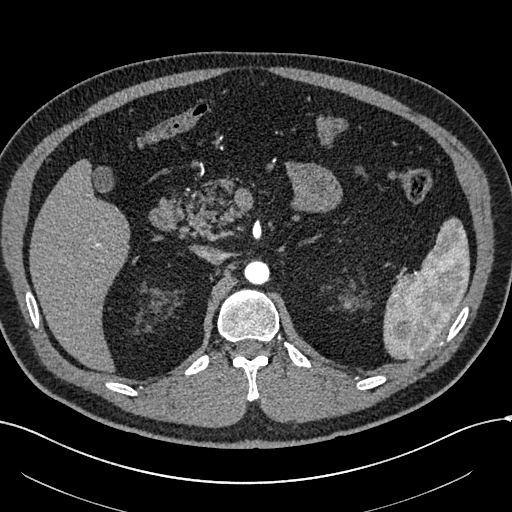
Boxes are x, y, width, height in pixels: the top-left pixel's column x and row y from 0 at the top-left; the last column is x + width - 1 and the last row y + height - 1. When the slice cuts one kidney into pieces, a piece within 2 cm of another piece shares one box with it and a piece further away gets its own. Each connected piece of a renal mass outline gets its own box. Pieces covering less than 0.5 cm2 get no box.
Arterial-phase contrast-enhanced abdominal CT, axial slice 420 of 602 (counted from the lowest slice); 1.00 mm thick, 0.799 mm per pixel. Left kidney at x 339, y 294, width 15, height 14 (outlined area 141 px, about 0.9 cm2). No renal mass is outlined on this slice.
Tube voltage 120 kVp; convolution kernel I30f.